Arterial-phase contrast-enhanced abdominal CT, axial slice 413 of 538 (counted from the lowest slice); tube voltage 120 kVp, convolution kernel B30f; slices 1.00 mm thick, 0.811 mm per pixel.
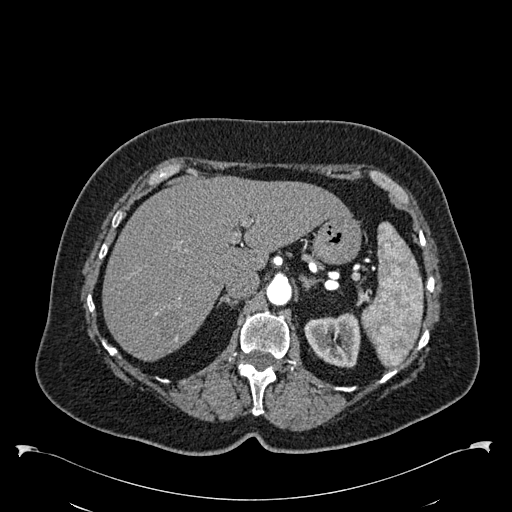
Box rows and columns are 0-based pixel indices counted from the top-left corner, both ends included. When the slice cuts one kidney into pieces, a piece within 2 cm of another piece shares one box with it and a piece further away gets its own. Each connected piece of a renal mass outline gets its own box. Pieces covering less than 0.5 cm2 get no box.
Left kidney, box rows 313–367, columns 304–360 (outlined area 2,371 px, about 15.6 cm2). This slice carries no renal mass outline.